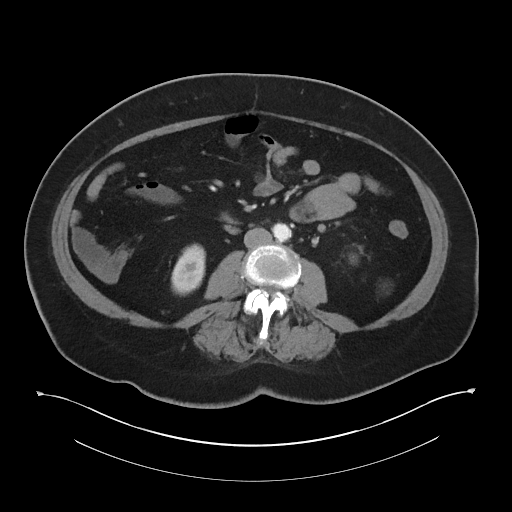
Contrast-enhanced abdominal CT, axial slice 14 of 60 (counted from the lowest slice); tube voltage 120 kVp, convolution kernel I30f; slices 5.00 mm thick, 0.971 mm per pixel.
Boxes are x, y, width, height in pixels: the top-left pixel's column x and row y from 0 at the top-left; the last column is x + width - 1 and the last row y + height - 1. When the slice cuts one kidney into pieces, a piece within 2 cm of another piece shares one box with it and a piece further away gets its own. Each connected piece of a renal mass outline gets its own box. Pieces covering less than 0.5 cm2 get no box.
Two boxes on this slice (two kidney boxes), listed by box centre from the image's left to its right. (1) Right kidney, box x 171, y 243, width 35, height 53 (outlined area 1,370 px, about 12.9 cm2). (2) Left kidney, box x 349, y 254, width 8, height 9 (outlined area 57 px, about 0.5 cm2). No renal mass is outlined on this slice.